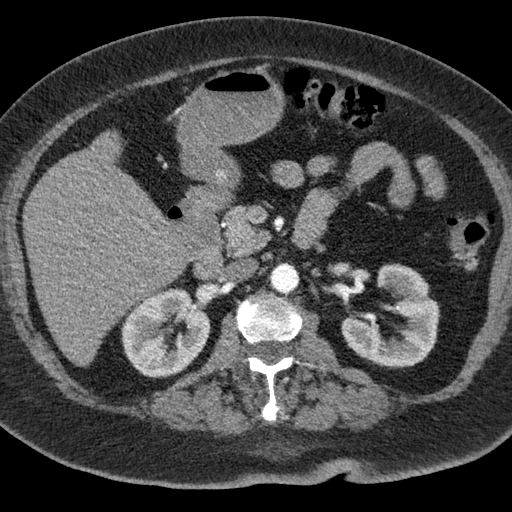
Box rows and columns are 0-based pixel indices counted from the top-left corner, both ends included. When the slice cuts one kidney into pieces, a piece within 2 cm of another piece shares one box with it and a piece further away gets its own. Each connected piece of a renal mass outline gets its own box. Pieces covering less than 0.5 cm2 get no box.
Slice 38/76 of a contrast-enhanced abdominal CT, counting up from the lowest; pixel size 0.684 mm, slice thickness 3.00 mm. Two kidney boxes on this slice; by box centre, from the image's left to its right: (1) Right kidney at rows 287–378, columns 121–210 (outlined area 5,861 px, about 27.4 cm2). (2) Box rows 263–368, columns 341–440: left kidney (outlined area 6,228 px, about 29.1 cm2). This slice carries no renal mass outline.
Acquired at 120 kVp and reconstructed with the B kernel.